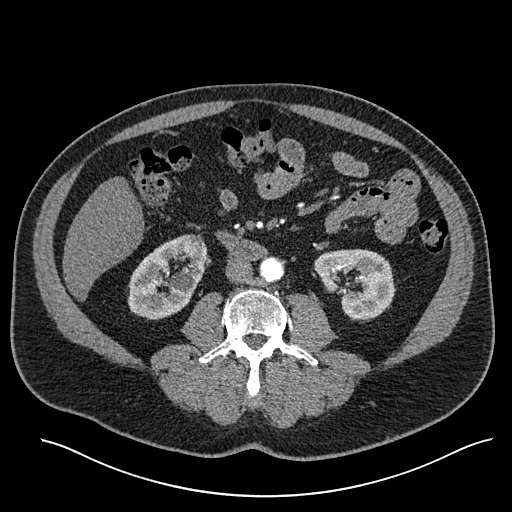
One axial slice (262 of 527, counting up from the lowest) of an arterial-phase abdominal CT acquired with 120 kVp, kernel I30f; each pixel is 0.859 mm and the slice is 1.00 mm thick.
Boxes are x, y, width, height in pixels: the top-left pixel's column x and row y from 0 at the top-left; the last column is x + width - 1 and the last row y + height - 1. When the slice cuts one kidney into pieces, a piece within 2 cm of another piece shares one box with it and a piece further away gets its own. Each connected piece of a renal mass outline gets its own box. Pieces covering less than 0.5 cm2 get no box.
Two kidney boxes on this slice; by box centre, from the image's left to its right: (1) Right kidney, box x 127, y 234, width 81, height 86 (outlined area 4,581 px, about 33.8 cm2). (2) Left kidney, box x 313, y 249, width 83, height 73 (outlined area 4,133 px, about 30.5 cm2). This slice carries no renal mass outline.